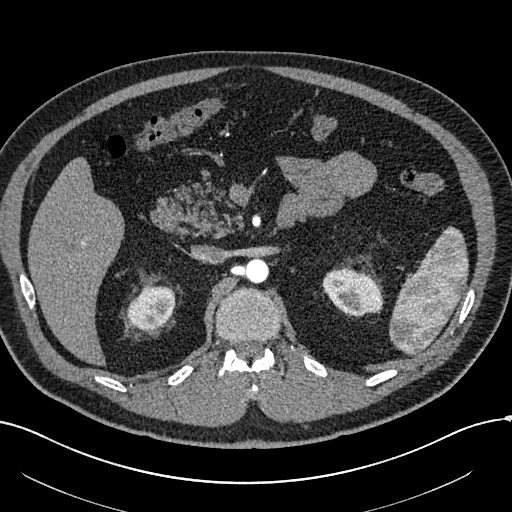
Abdominal CT with intravenous contrast, arterial phase, axial plane, 120 kVp, kernel I30f. Slice 403/602 from the bottom of the scan; thickness 1.00 mm; pixel size 0.799 mm.
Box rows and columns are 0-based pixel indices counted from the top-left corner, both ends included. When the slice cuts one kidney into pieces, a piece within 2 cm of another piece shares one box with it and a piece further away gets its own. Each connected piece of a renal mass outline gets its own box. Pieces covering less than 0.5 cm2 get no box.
Two boxes on this slice (two kidney boxes), listed by box centre from the image's left to its right. (1) Right kidney at rows 285–330, columns 127–175 (outlined area 1,715 px, about 10.9 cm2). (2) Left kidney, box rows 268–316, columns 322–383 (outlined area 2,179 px, about 13.9 cm2). This slice carries no renal mass outline.